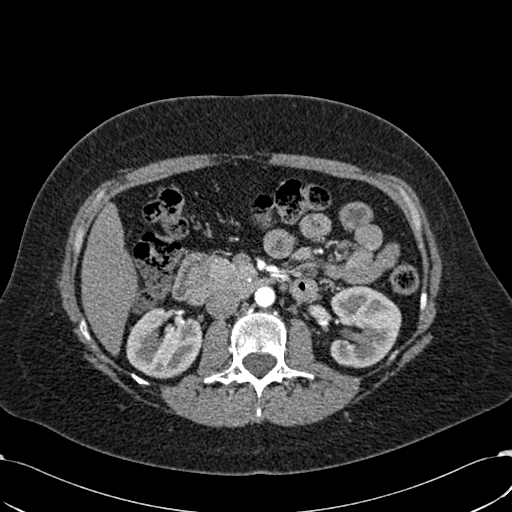
One axial slice (354 of 532, counting up from the lowest) of an arterial-phase abdominal CT acquired with 120 kVp, kernel B30f; each pixel is 0.713 mm and the slice is 1.00 mm thick.
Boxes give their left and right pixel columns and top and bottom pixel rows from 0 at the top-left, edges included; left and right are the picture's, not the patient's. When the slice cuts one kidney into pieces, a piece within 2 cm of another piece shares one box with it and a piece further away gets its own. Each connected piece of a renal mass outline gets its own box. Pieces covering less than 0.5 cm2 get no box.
Two kidney boxes on this slice; by box centre, from the image's left to its right: (1) Right kidney, the box with left 126, top 307, right 201, bottom 378 (outlined area 4,074 px, about 20.7 cm2). (2) Left kidney in the box with left 329, top 284, right 401, bottom 368 (outlined area 4,601 px, about 23.4 cm2). This slice carries no renal mass outline.